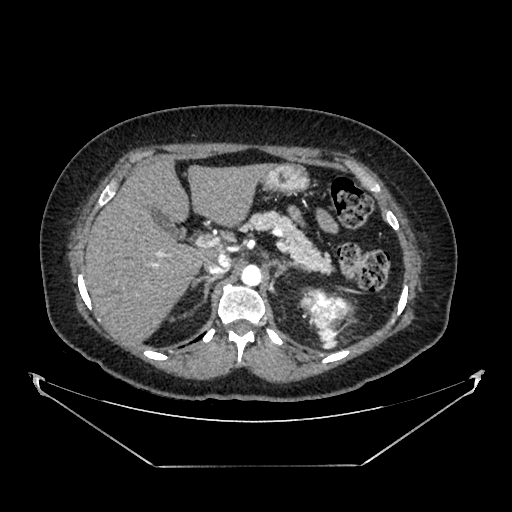
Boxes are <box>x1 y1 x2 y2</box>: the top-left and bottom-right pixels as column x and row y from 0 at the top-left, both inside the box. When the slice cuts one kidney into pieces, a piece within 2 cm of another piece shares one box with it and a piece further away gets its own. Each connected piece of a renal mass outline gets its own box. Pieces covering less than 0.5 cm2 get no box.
Slice 270/383 of a contrast-enhanced abdominal CT in the arterial phase, counting up from the lowest; pixel size 0.898 mm, slice thickness 1.25 mm. At <box>303 291 349 337</box>: left renal mass (outlined area 1,422 px, about 11.5 cm2); this slice has no kidney outline, though on another slice the same outlined renal mass lies within 1 cm of the kidney.
Scan settings: 100 kVp, SOFT reconstruction kernel.